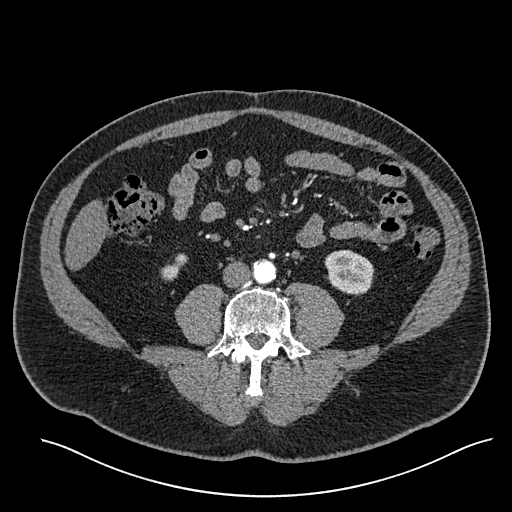
Abdominal CT with intravenous contrast, arterial phase, axial plane, 120 kVp, kernel I30f. Slice 199/527 from the bottom of the scan; thickness 1.00 mm; pixel size 0.859 mm.
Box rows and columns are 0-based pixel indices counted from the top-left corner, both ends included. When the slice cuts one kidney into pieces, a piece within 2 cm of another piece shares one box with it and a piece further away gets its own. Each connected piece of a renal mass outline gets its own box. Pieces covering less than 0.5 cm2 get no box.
Two boxes on this slice (two kidney boxes), listed by box centre from the image's left to its right. (1) Right kidney at rows 253–280, columns 160–188 (outlined area 401 px, about 3.0 cm2). (2) Left kidney at rows 250–295, columns 324–374 (outlined area 1,756 px, about 13.0 cm2). This slice carries no renal mass outline.